One axial slice (492 of 723, counting up from the lowest) of an arterial-phase abdominal CT acquired with 120 kVp, kernel B30f; each pixel is 0.895 mm and the slice is 1.00 mm thick.
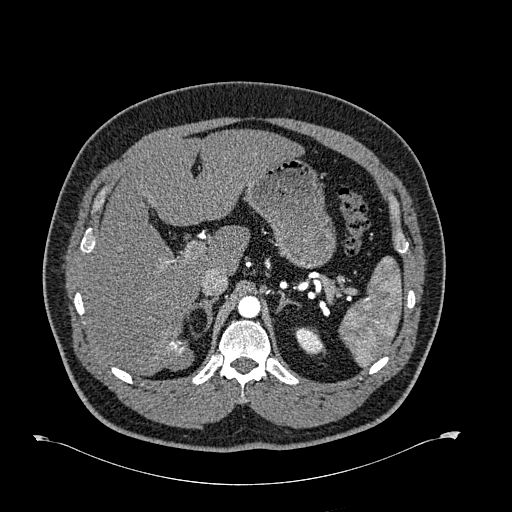
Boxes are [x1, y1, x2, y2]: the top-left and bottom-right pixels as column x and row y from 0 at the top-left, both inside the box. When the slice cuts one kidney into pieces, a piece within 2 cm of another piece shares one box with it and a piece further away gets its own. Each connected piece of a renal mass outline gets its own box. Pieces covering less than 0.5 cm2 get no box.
Left kidney at [295, 327, 324, 355] (outlined area 563 px, about 4.5 cm2). This slice carries no renal mass outline.